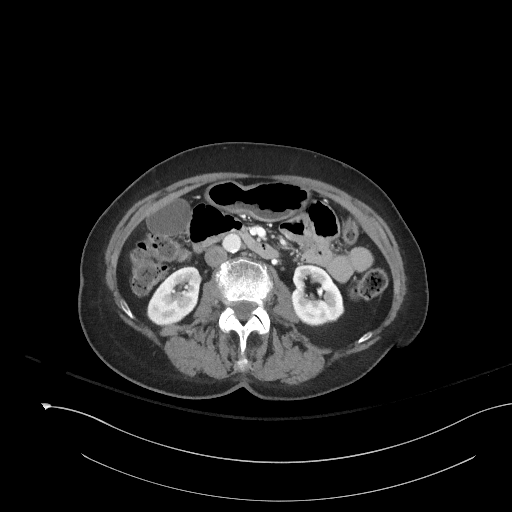
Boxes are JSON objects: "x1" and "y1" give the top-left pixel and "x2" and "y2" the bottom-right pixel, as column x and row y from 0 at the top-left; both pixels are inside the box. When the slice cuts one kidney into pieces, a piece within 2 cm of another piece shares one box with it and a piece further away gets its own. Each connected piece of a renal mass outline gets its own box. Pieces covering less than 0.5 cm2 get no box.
Slice 91/153 of a contrast-enhanced abdominal CT, counting up from the lowest; pixel size 0.893 mm, slice thickness 3.00 mm. Boxed on this slice (two kidney boxes), listed by box centre from the image's left to its right: (1) Right kidney at {"x1": 146, "y1": 266, "x2": 201, "y2": 325} (outlined area 2,239 px, about 17.8 cm2). (2) Left kidney, box {"x1": 292, "y1": 264, "x2": 344, "y2": 326} (outlined area 2,444 px, about 19.5 cm2). No renal mass outline on this slice.
Scan settings: 120 kVp, I41f reconstruction kernel.